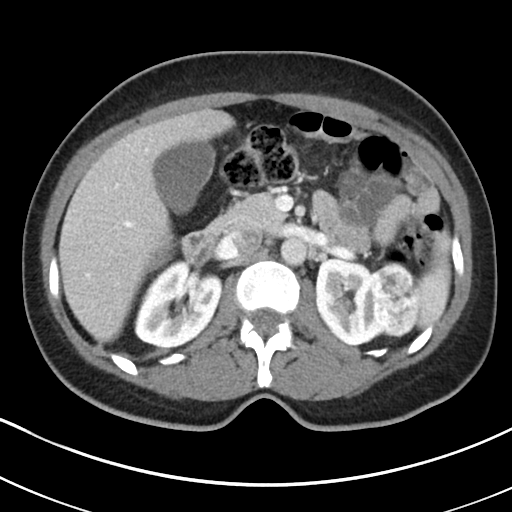
Axial slice 123 of 178 of a contrast-enhanced abdominal CT (slice 1 is the lowest), 100 kVp, kernel I30f; 5.00 mm slice thickness and 0.650 mm pixels.
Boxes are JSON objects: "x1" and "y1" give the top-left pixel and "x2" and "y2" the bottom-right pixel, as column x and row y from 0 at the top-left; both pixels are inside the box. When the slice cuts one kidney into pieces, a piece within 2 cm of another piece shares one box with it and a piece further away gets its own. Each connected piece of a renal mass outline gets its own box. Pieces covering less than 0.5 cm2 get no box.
Two kidney boxes and one renal mass box on this slice; by box centre, from the image's left to its right: (1) Box {"x1": 134, "y1": 259, "x2": 222, "y2": 346}: right kidney (outlined area 5,590 px, about 23.6 cm2). (2) Box {"x1": 315, "y1": 258, "x2": 387, "y2": 345}: left kidney (outlined area 4,468 px, about 18.9 cm2). (3) Left renal mass, box {"x1": 372, "y1": 262, "x2": 421, "y2": 337} (outlined area 2,909 px, about 12.3 cm2).